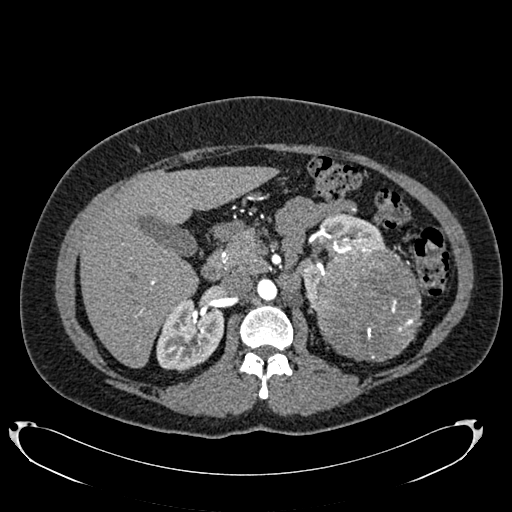
Arterial-phase contrast-enhanced abdominal CT, axial slice 457 of 634 (counted from the lowest slice); tube voltage 120 kVp, convolution kernel B20f; slices 1.00 mm thick, 0.838 mm per pixel.
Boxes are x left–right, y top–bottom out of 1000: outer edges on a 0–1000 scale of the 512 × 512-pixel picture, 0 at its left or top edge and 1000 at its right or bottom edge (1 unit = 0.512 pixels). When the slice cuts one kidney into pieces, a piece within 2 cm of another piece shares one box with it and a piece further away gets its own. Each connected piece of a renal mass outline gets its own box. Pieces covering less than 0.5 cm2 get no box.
Boxed on this slice (two kidney boxes and one renal mass box), listed by box centre from the image's left to its right: (1) Right kidney, box x 305–439, y 576–729 out of 1000 (outlined area 3,805 px, about 26.7 cm2). (2) Left kidney at x 586–754, y 414–609 out of 1000 (outlined area 2,643 px, about 18.6 cm2). (3) Left renal mass at x 613–826, y 473–707 out of 1000 (outlined area 10,353 px, about 72.7 cm2).